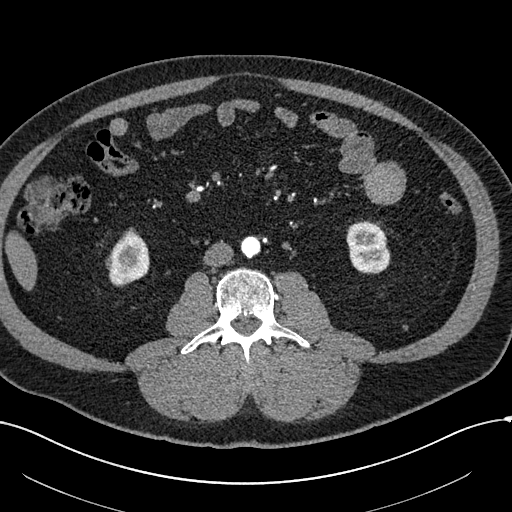
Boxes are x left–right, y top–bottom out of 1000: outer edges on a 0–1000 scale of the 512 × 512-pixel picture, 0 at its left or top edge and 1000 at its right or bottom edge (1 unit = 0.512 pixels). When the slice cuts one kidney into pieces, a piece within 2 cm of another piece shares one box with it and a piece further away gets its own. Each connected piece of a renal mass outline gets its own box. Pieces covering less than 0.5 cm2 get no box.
This is axial slice 226 of 602 (slice 1 is the lowest) of an arterial-phase abdominal CT with contrast; each pixel is 0.799 mm and the slice is 1.00 mm thick. Three boxes on this slice (two kidney boxes and one renal mass box), listed by box centre from the image's left to its right. (1) Right renal mass, box x 205–227, y 496–529 out of 1000 (outlined area 134 px, about 0.9 cm2). (2) Box x 211–293, y 443–561 out of 1000: right kidney (outlined area 1,676 px, about 10.7 cm2). (3) Box x 676–764, y 432–535 out of 1000: left kidney (outlined area 1,851 px, about 11.8 cm2).
Tube voltage 120 kVp; convolution kernel I30f.